Axial slice 407 of 735 of a contrast-enhanced abdominal CT in the arterial phase (slice 1 is the lowest), 120 kVp, kernel I30f; 1.00 mm slice thickness and 0.789 mm pixels.
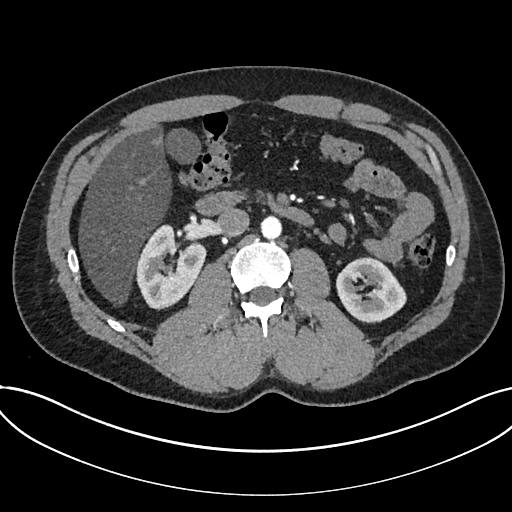
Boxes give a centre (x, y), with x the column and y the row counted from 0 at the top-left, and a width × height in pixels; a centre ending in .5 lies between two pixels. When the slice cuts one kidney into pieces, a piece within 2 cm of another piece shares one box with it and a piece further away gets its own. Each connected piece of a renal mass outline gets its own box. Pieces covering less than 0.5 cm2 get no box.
Boxed on this slice (two kidney boxes), listed by box centre from the image's left to its right: (1) Kidney in a box with centre (170.5, 267), 72 × 87 pixels (outlined area 4,169 px, about 26.0 cm2). (2) Box centre (371, 290), 71 × 67 pixels: kidney (outlined area 3,371 px, about 21.0 cm2). No renal mass outline on this slice.